Contrast-enhanced abdominal CT, axial slice 541 of 787 (counted from the lowest slice); tube voltage 140 kVp, convolution kernel I30f; slices 1.00 mm thick, 0.910 mm per pixel.
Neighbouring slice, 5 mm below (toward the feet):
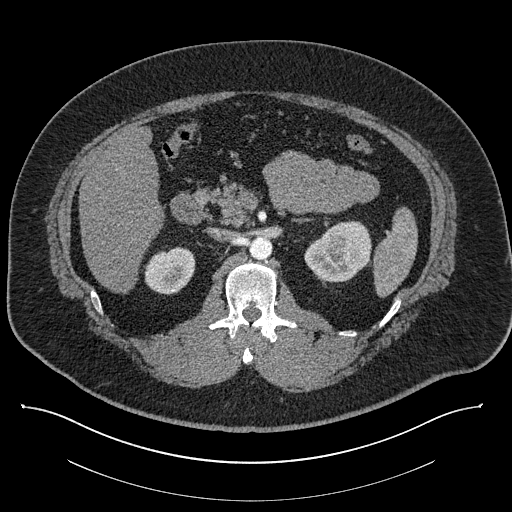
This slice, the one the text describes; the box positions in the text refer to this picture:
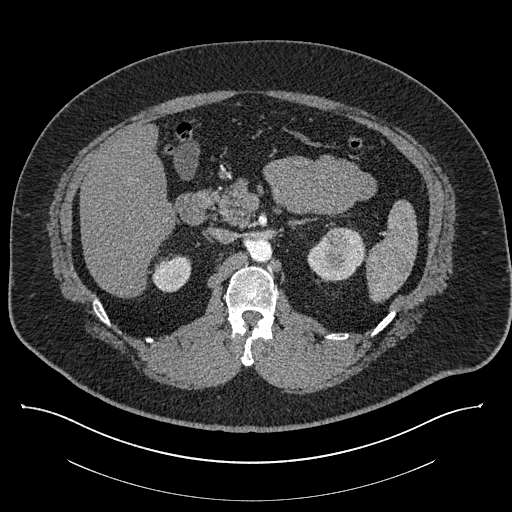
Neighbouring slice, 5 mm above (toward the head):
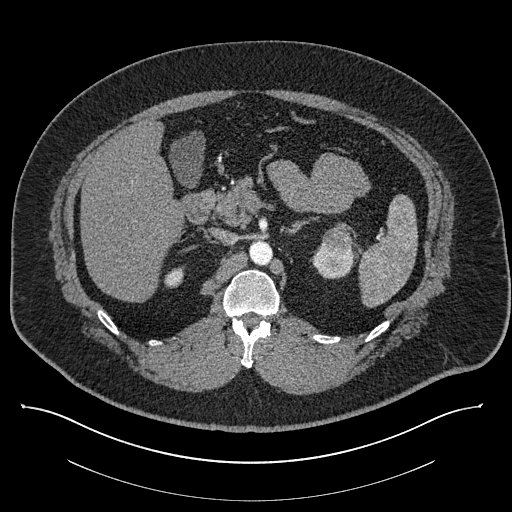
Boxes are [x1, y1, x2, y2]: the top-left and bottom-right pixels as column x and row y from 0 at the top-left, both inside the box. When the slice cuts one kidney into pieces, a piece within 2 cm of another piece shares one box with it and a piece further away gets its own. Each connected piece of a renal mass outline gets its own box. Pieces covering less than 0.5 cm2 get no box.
Boxed on this slice (two kidney boxes and one renal mass box), listed by box centre from the image's left to its right: (1) Box [152, 254, 191, 292]: right kidney (outlined area 1,155 px, about 9.6 cm2). (2) Box [328, 230, 342, 245]: left renal mass (outlined area 190 px, about 1.6 cm2). (3) Left kidney at [307, 227, 365, 281] (outlined area 2,201 px, about 18.2 cm2). This slice is near the end of the left renal mass toward the feet, so the slices 5 mm below and 5 mm above it are shown as well; the boxes refer to this slice only.